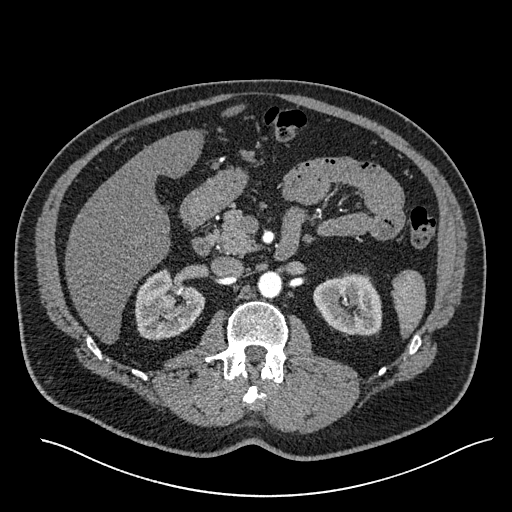
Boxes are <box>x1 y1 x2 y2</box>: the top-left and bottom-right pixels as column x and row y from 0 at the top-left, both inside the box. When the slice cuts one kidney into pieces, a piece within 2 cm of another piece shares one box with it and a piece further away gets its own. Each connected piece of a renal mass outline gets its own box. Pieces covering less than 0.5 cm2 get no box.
Slice 354/527 of a contrast-enhanced abdominal CT in the arterial phase, counting up from the lowest; pixel size 0.859 mm, slice thickness 1.00 mm. Two kidney boxes and one renal mass box on this slice; by box centre, from the image's left to its right: (1) Right renal mass at <box>156 293 175 310</box> (outlined area 303 px, about 2.2 cm2). (2) Right kidney at <box>134 270 205 340</box> (outlined area 3,309 px, about 24.4 cm2). (3) Left kidney: <box>313 272 382 336</box> (outlined area 3,430 px, about 25.3 cm2).
Acquired at 120 kVp and reconstructed with the I30f kernel.